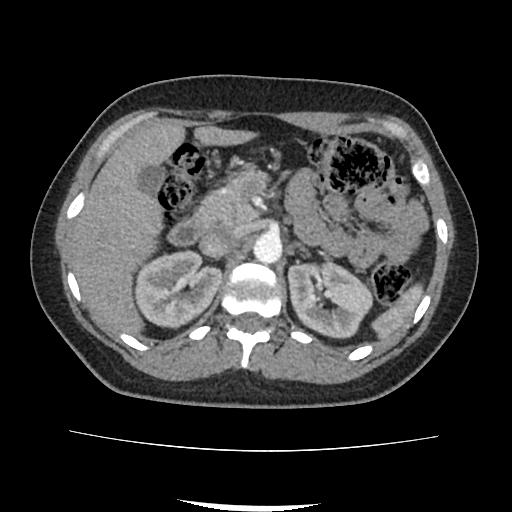
One axial slice (62 of 103, counting up from the lowest) of a contrast-enhanced abdominal CT acquired with 120 kVp, kernel FC18; each pixel is 0.714 mm and the slice is 3.00 mm thick.
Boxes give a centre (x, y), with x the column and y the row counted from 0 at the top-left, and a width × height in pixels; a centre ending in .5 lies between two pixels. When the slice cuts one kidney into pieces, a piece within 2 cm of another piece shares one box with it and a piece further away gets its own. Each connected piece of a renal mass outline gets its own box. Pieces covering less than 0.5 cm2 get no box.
Two kidney boxes on this slice; by box centre, from the image's left to its right: (1) Right kidney in a box with centre (178, 289), 89 × 81 pixels (outlined area 5,161 px, about 26.3 cm2). (2) Left kidney, box centre (330, 299), 85 × 79 pixels (outlined area 4,941 px, about 25.2 cm2). This slice carries no renal mass outline.